Abdominal CT with intravenous contrast, arterial phase, axial plane, 140 kVp, kernel I30f. Slice 454/673 from the bottom of the scan; thickness 1.00 mm; pixel size 0.957 mm.
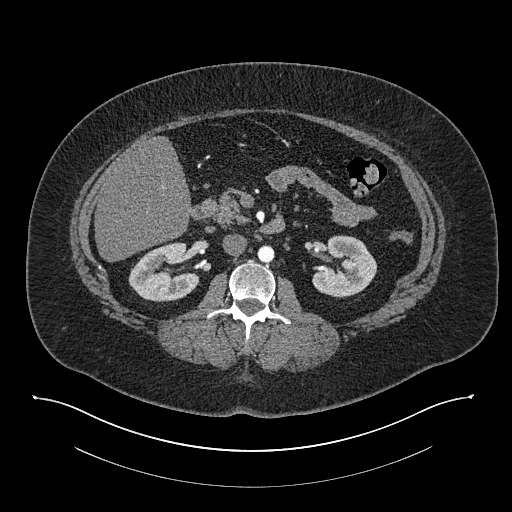
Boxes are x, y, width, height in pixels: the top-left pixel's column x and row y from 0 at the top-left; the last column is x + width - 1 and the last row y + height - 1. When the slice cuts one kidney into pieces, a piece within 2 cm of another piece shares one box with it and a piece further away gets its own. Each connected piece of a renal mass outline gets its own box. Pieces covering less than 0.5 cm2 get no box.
Two kidney boxes on this slice; by box centre, from the image's left to its right: (1) Box x 128, y 242, width 72, height 60: right kidney (outlined area 3,031 px, about 27.8 cm2). (2) Left kidney, box x 312, y 235, width 66, height 63 (outlined area 2,952 px, about 27.0 cm2). This slice carries no renal mass outline.